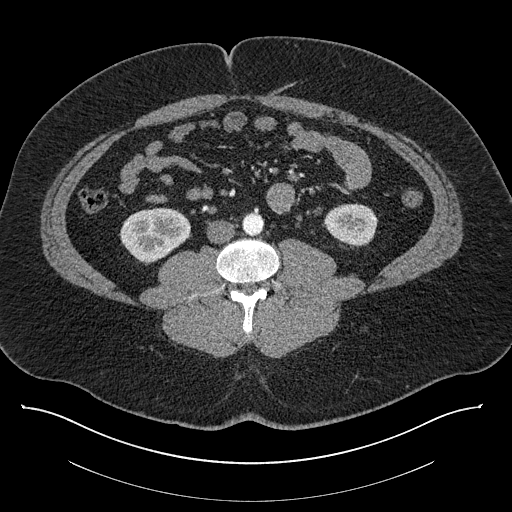
Abdominal CT with intravenous contrast, axial plane, 140 kVp, kernel I30f. Slice 373/787 from the bottom of the scan; thickness 1.00 mm; pixel size 0.910 mm.
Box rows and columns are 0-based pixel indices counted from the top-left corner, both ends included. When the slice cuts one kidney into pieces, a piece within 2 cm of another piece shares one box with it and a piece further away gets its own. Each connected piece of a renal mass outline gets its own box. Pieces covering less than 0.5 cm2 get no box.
Two kidney boxes on this slice; by box centre, from the image's left to its right: (1) Box rows 207–263, columns 119–190: right kidney (outlined area 2,937 px, about 24.3 cm2). (2) Left kidney at rows 203–246, columns 325–377 (outlined area 1,775 px, about 14.7 cm2). No renal mass outline on this slice.